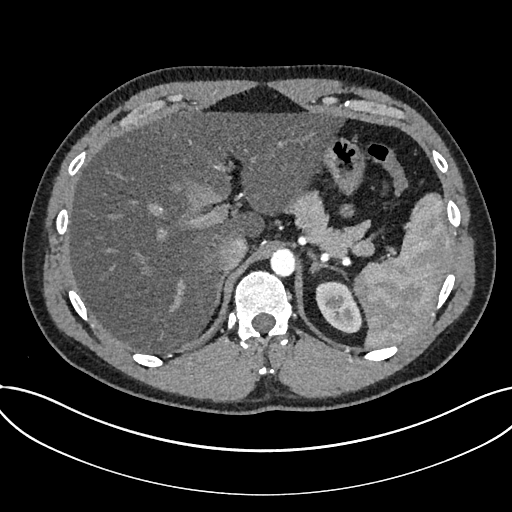
Axial slice 571 of 735 of a contrast-enhanced abdominal CT in the arterial phase (slice 1 is the lowest), 120 kVp, kernel I30f; 1.00 mm slice thickness and 0.789 mm pixels.
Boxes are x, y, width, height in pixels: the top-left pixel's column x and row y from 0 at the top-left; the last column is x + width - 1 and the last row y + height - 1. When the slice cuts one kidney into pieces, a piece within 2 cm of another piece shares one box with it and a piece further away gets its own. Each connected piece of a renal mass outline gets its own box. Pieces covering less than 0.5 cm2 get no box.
Kidney, box x 315, y 281, width 48, height 53 (outlined area 1,776 px, about 11.1 cm2). This slice carries no renal mass outline.